Axial slice 16 of 50 of a contrast-enhanced abdominal CT (slice 1 is the lowest), 100 kVp, kernel I40f; 5.00 mm slice thickness and 0.723 mm pixels.
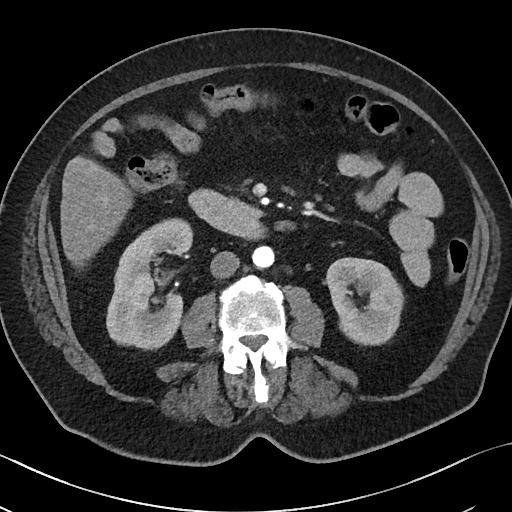
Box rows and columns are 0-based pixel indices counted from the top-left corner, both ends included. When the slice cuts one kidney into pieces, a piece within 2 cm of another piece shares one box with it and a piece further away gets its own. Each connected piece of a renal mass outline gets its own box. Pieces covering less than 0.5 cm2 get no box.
Two kidney boxes on this slice; by box centre, from the image's left to its right: (1) Box rows 218–350, columns 106–193: right kidney (outlined area 7,611 px, about 39.7 cm2). (2) Box rows 257–345, columns 326–404: left kidney (outlined area 5,122 px, about 26.7 cm2). This slice carries no renal mass outline.